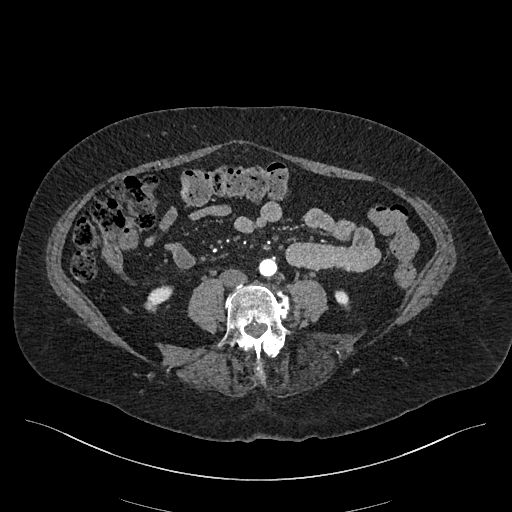
One axial slice (147 of 548, counting up from the lowest) of an arterial-phase abdominal CT acquired with 120 kVp, kernel I26f; each pixel is 0.852 mm and the slice is 1.00 mm thick.
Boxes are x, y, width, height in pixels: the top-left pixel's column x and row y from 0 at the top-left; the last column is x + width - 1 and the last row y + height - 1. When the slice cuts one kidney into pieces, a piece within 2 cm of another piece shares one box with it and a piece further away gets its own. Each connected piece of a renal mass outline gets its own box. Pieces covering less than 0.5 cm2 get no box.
Two kidney boxes on this slice; by box centre, from the image's left to its right: (1) Box x 144, y 285, width 29, height 28: right kidney (outlined area 450 px, about 3.3 cm2). (2) Left kidney, box x 334, y 290, width 16, height 20 (outlined area 210 px, about 1.5 cm2). No renal mass is outlined on this slice.